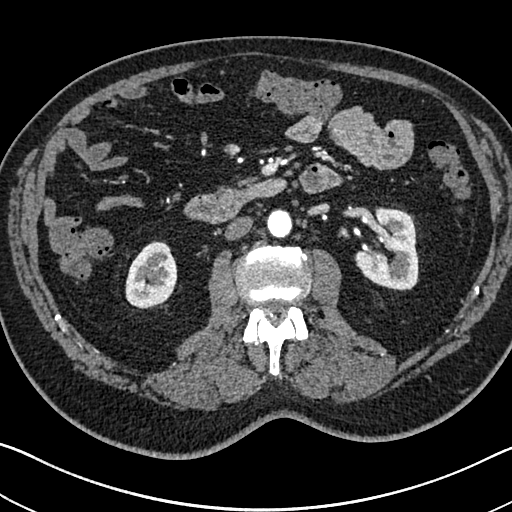
Axial slice 390 of 705 of a contrast-enhanced abdominal CT in the arterial phase (slice 1 is the lowest), 120 kVp, kernel I30f; 1.00 mm slice thickness and 0.703 mm pixels.
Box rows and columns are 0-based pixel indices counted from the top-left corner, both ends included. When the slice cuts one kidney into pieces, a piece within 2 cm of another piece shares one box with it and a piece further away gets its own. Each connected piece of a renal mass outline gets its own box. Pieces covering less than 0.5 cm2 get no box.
Boxed on this slice (two kidney boxes), listed by box centre from the image's left to its right: (1) Box rows 241–308, columns 125–177: right kidney (outlined area 2,722 px, about 13.5 cm2). (2) Left kidney, box rows 207–290, columns 354–418 (outlined area 3,907 px, about 19.3 cm2). No renal mass outline on this slice.